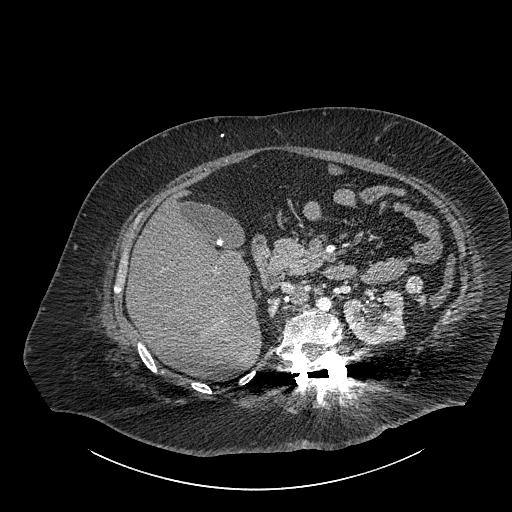
Abdominal CT with intravenous contrast, axial plane, 140 kVp, kernel I30f. Slice 574/834 from the bottom of the scan; thickness 1.00 mm; pixel size 0.977 mm.
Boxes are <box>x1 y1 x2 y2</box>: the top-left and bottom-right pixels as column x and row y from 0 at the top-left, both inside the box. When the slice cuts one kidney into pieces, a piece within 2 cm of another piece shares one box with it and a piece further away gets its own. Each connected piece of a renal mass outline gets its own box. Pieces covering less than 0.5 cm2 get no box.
Boxed on this slice (two kidney boxes and one renal mass box), listed by box centre from the image's left to its right: (1) Right part of the midline-crossing kidney: <box>270 301 276 311</box> (outlined area 57 px, about 0.5 cm2). (2) Left part of the midline-crossing kidney: <box>343 290 405 344</box> (outlined area 2,672 px, about 25.5 cm2). (3) At <box>405 275 422 298</box>: renal mass (outlined area 326 px, about 3.1 cm2).